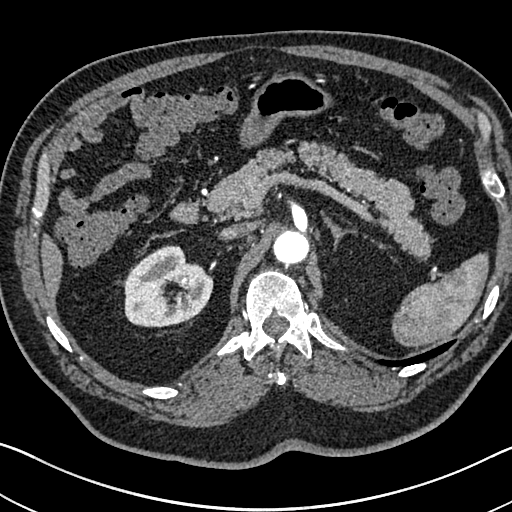
One axial slice (491 of 705, counting up from the lowest) of an arterial-phase abdominal CT acquired with 120 kVp, kernel I30f; each pixel is 0.703 mm and the slice is 1.00 mm thick.
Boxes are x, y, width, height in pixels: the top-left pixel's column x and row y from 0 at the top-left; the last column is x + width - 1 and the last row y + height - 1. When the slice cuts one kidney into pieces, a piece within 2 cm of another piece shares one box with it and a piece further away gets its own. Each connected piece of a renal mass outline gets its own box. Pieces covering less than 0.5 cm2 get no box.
Right kidney, box x 122, y 245, width 92, height 83 (outlined area 5,435 px, about 26.9 cm2). No renal mass outline on this slice.